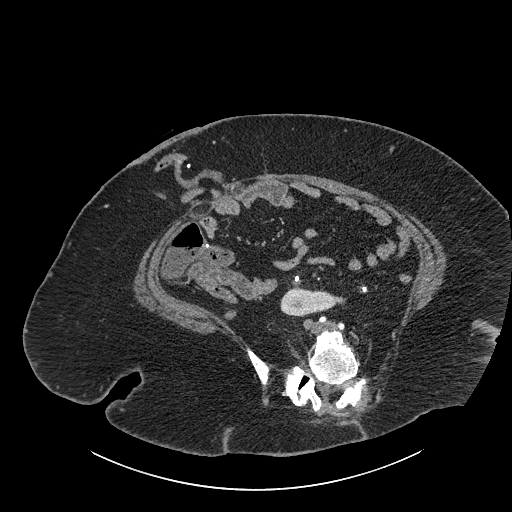
Contrast-enhanced abdominal CT, axial slice 394 of 834 (counted from the lowest slice); tube voltage 140 kVp, convolution kernel I30f; slices 1.00 mm thick, 0.977 mm per pixel.
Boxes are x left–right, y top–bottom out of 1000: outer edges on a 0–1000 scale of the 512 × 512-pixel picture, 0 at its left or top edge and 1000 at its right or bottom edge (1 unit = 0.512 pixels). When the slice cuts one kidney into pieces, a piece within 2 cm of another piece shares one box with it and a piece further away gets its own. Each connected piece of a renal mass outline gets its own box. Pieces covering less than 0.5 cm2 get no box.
Right part of the midline-crossing kidney, box x 547–674, y 559–619 out of 1000 (outlined area 1,352 px, about 12.9 cm2). This slice carries no renal mass outline.